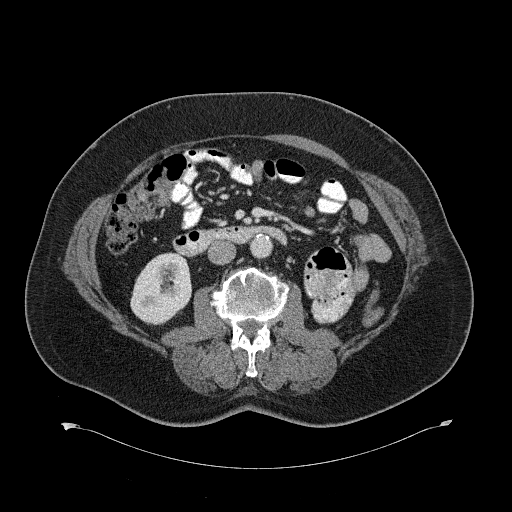
Contrast-enhanced abdominal CT, axial slice 336 of 734 (counted from the lowest slice); tube voltage 120 kVp, convolution kernel B31f; slices 2.00 mm thick, 0.971 mm per pixel.
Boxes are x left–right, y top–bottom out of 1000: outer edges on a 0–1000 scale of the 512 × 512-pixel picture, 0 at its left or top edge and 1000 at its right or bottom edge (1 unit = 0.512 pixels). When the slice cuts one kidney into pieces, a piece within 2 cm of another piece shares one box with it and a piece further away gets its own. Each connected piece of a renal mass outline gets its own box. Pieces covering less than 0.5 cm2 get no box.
Box x 254–373, y 494–637 out of 1000: right kidney (outlined area 3,310 px, about 31.2 cm2). No renal mass is outlined on this slice.